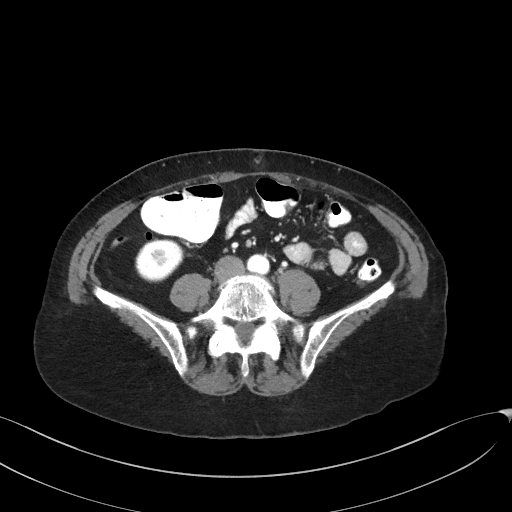
Abdominal CT with intravenous contrast, arterial phase, axial plane, 100 kVp, kernel I41f. Slice 66/129 from the bottom of the scan; thickness 3.00 mm; pixel size 0.779 mm.
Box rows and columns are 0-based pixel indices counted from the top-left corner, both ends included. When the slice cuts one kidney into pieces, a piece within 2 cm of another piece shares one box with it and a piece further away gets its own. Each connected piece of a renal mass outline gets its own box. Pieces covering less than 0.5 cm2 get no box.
Right kidney at rows 239–282, columns 135–184 (outlined area 1,672 px, about 10.2 cm2). No renal mass is outlined on this slice.